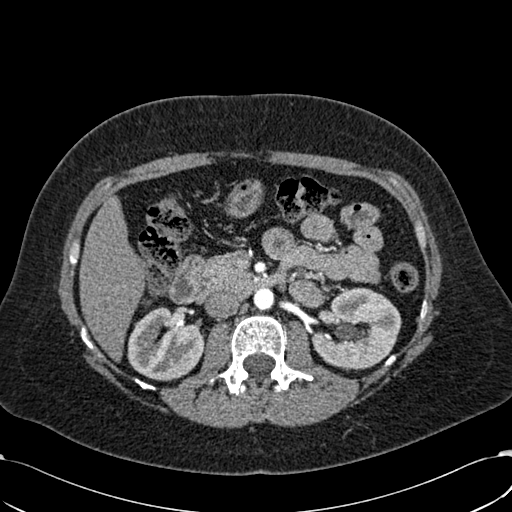
One axial slice (364 of 532, counting up from the lowest) of an arterial-phase abdominal CT acquired with 120 kVp, kernel B30f; each pixel is 0.713 mm and the slice is 1.00 mm thick.
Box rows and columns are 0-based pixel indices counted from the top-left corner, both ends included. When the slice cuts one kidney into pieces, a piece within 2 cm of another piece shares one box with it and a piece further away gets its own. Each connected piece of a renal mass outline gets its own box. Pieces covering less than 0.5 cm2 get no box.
Two kidney boxes on this slice; by box centre, from the image's left to its right: (1) Right kidney at rows 307–380, columns 127–203 (outlined area 4,188 px, about 21.3 cm2). (2) Left kidney, box rows 287–370, columns 311–401 (outlined area 5,320 px, about 27.0 cm2). This slice carries no renal mass outline.